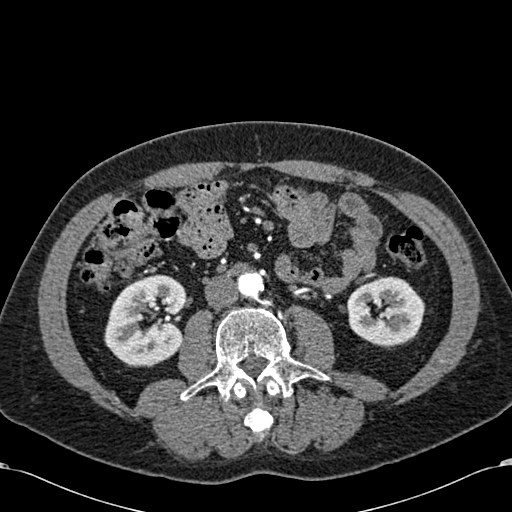
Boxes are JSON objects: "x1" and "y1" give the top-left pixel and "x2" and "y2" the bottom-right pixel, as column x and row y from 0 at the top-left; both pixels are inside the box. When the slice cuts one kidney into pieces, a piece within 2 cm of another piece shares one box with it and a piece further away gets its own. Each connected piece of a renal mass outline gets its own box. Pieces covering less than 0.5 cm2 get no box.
Arterial-phase contrast-enhanced abdominal CT, axial slice 277 of 581 (counted from the lowest slice); 1.00 mm thick, 0.713 mm per pixel. Two kidney boxes on this slice; by box centre, from the image's left to its right: (1) Right kidney, box {"x1": 104, "y1": 274, "x2": 187, "y2": 367} (outlined area 5,719 px, about 29.1 cm2). (2) Left kidney, box {"x1": 346, "y1": 276, "x2": 424, "y2": 348} (outlined area 4,219 px, about 21.4 cm2). No renal mass is outlined on this slice.
Tube voltage 120 kVp; convolution kernel B30f.